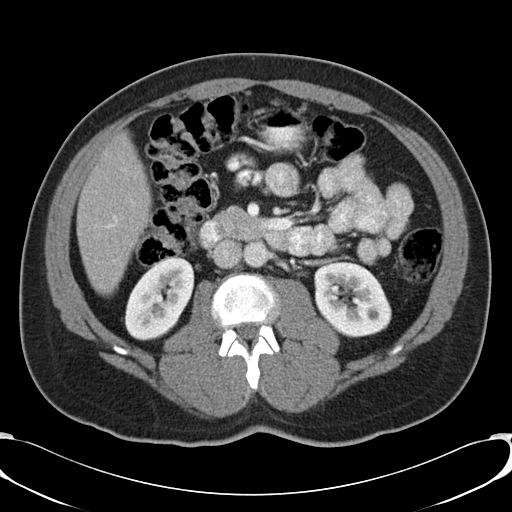
Abdominal CT with intravenous contrast, axial plane, 120 kVp, kernel B30f. Slice 17/48 from the bottom of the scan; thickness 5.00 mm; pixel size 0.736 mm.
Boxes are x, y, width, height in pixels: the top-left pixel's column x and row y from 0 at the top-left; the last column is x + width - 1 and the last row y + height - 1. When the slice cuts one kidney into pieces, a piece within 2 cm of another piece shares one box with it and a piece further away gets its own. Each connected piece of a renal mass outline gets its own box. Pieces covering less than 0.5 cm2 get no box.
Boxed on this slice (two kidney boxes), listed by box centre from the image's left to its right: (1) Box x 124, y 256, width 71, height 85: right kidney (outlined area 4,200 px, about 22.8 cm2). (2) Left kidney, box x 313, y 261, width 79, height 77 (outlined area 4,610 px, about 25.0 cm2). No renal mass is outlined on this slice.